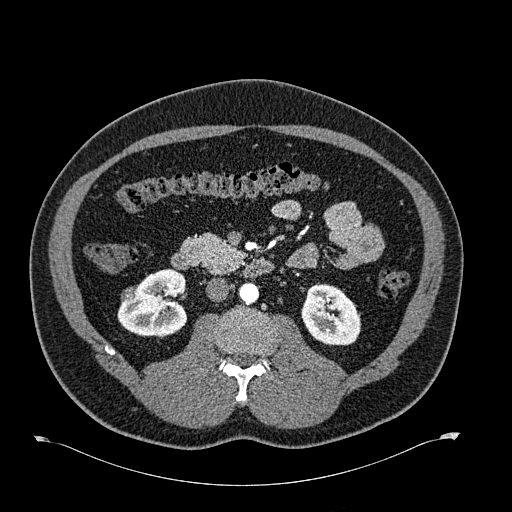
Arterial-phase contrast-enhanced abdominal CT, axial slice 339 of 723 (counted from the lowest slice); tube voltage 120 kVp, convolution kernel B30f; slices 1.00 mm thick, 0.895 mm per pixel.
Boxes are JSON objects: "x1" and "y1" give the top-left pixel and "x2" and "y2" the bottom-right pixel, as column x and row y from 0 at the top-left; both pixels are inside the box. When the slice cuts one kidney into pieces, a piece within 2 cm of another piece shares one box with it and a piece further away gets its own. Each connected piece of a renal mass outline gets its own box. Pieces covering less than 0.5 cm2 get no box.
Boxed on this slice (two kidney boxes and one renal mass box), listed by box centre from the image's left to its right: (1) Box {"x1": 121, "y1": 286, "x2": 136, "y2": 301}: right renal mass (outlined area 192 px, about 1.5 cm2). (2) Box {"x1": 117, "y1": 268, "x2": 187, "y2": 338}: right kidney (outlined area 3,560 px, about 28.5 cm2). (3) Left kidney, box {"x1": 301, "y1": 283, "x2": 361, "y2": 345} (outlined area 2,886 px, about 23.1 cm2).